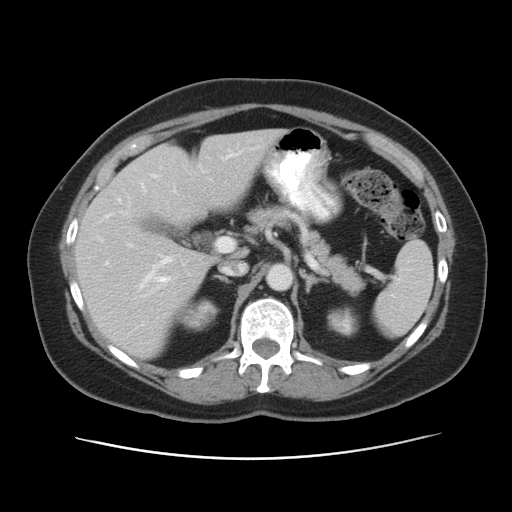
Abdominal CT with intravenous contrast, arterial phase, axial plane, 120 kVp, kernel STANDARD. Slice 36/53 from the bottom of the scan; thickness 5.00 mm; pixel size 0.703 mm.
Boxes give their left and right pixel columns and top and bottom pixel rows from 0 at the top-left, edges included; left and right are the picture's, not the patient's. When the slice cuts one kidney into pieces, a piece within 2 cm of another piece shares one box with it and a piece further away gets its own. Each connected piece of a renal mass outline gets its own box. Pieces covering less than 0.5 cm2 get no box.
Two kidney boxes on this slice; by box centre, from the image's left to its right: (1) Box with left 179, top 298, right 219, bottom 331: right kidney (outlined area 920 px, about 4.5 cm2). (2) Box with left 327, top 306, right 358, bottom 337: left kidney (outlined area 755 px, about 3.7 cm2). No renal mass outline on this slice.